Abdominal CT with intravenous contrast, arterial phase, axial plane, 120 kVp, kernel I26f. Slice 140/470 from the bottom of the scan; thickness 1.00 mm; pixel size 0.938 mm.
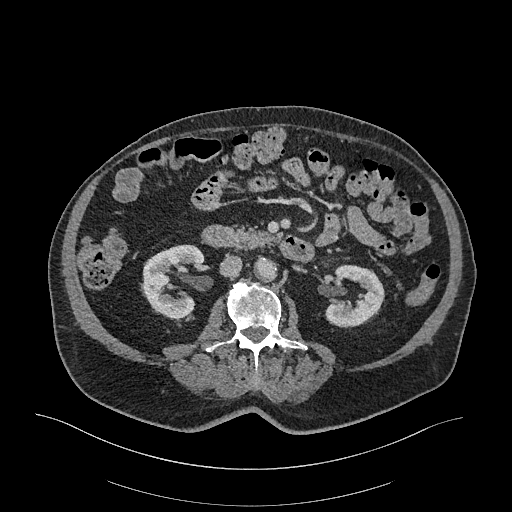
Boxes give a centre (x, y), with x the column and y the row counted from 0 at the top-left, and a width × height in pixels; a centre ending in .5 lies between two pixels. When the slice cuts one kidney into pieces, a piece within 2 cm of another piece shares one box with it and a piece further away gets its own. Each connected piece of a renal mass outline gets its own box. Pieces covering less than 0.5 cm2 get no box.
Two kidney boxes on this slice; by box centre, from the image's left to its right: (1) Right kidney in a box with centre (172, 281.5), 63 × 76 pixels (outlined area 3,237 px, about 28.5 cm2). (2) Left kidney in a box with centre (354, 295.5), 61 × 64 pixels (outlined area 2,636 px, about 23.2 cm2). This slice carries no renal mass outline.